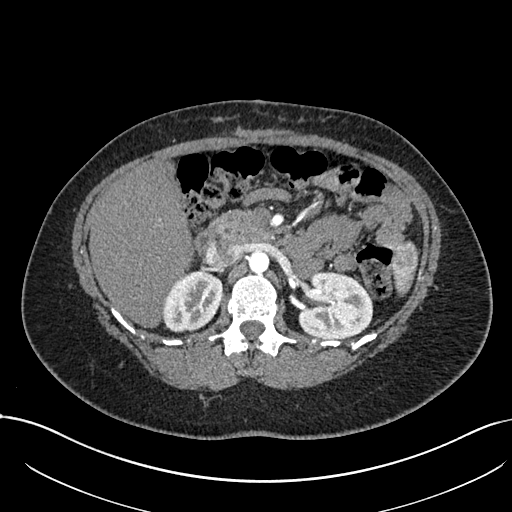
One axial slice (464 of 738, counting up from the lowest) of an arterial-phase abdominal CT acquired with 120 kVp, kernel I30f; each pixel is 0.789 mm and the slice is 1.00 mm thick.
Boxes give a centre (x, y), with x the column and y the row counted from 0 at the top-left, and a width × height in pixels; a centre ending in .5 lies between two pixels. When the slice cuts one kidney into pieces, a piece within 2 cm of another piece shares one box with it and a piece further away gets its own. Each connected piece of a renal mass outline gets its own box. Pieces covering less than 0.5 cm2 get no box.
Boxed on this slice (two kidney boxes), listed by box centre from the image's left to its right: (1) Right kidney, box centre (191.5, 300.5), 62 × 62 pixels (outlined area 2,889 px, about 18.0 cm2). (2) Box centre (335.5, 304.5), 76 × 68 pixels: left kidney (outlined area 4,064 px, about 25.3 cm2). No renal mass outline on this slice.